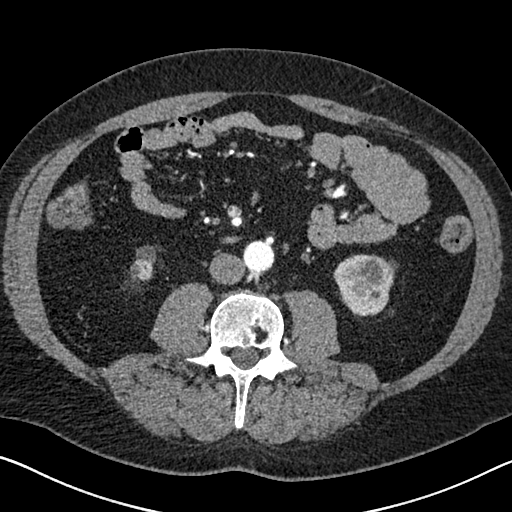
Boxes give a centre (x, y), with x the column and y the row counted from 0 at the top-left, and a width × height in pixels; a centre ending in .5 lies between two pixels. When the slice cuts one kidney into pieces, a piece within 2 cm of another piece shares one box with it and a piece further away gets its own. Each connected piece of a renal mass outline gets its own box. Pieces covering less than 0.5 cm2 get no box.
This is axial slice 299 of 626 (slice 1 is the lowest) of an arterial-phase abdominal CT with contrast; each pixel is 0.703 mm and the slice is 1.00 mm thick. Boxed on this slice (two kidney boxes and one renal mass box), listed by box centre from the image's left to its right: (1) Right kidney in a box with centre (142.5, 263), 26 × 37 pixels (outlined area 706 px, about 3.5 cm2). (2) Box centre (365, 284.5), 65 × 62 pixels: left kidney (outlined area 2,315 px, about 11.4 cm2). (3) Box centre (374.5, 271), 36 × 27 pixels: left renal mass (outlined area 642 px, about 3.2 cm2).
Tube voltage 120 kVp; convolution kernel I30f.